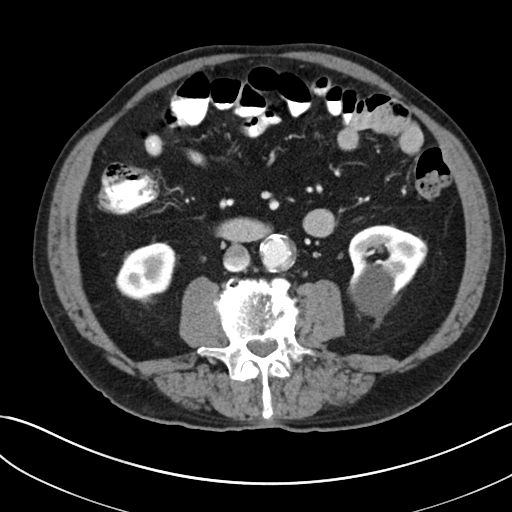
Contrast-enhanced abdominal CT, axial slice 112 of 269 (counted from the lowest slice); tube voltage 100 kVp, convolution kernel I30f; slices 5.00 mm thick, 0.732 mm per pixel.
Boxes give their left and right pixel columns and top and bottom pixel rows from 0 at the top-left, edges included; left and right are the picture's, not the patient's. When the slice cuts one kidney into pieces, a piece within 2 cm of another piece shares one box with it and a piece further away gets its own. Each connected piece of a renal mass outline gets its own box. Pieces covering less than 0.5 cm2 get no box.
Two boxes on this slice (two kidney boxes), listed by box centre from the image's left to its right. (1) Right kidney, the box with left 115, top 242, right 176, bottom 304 (outlined area 2,750 px, about 14.8 cm2). (2) Left kidney, the box with left 348, top 225, right 427, bottom 318 (outlined area 5,138 px, about 27.6 cm2). This slice carries no renal mass outline.